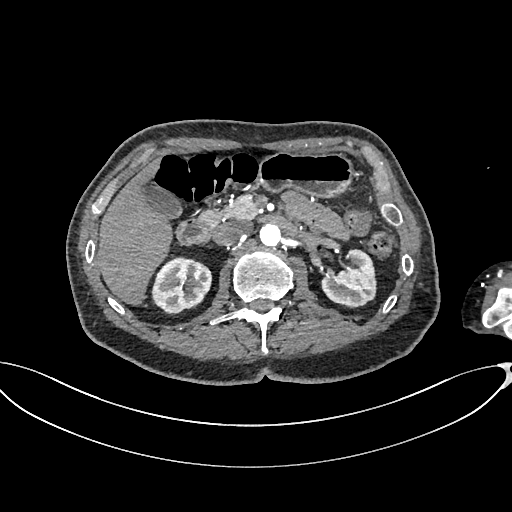
One axial slice (422 of 665, counting up from the lowest) of an arterial-phase abdominal CT acquired with 100 kVp, kernel I26f; each pixel is 0.828 mm and the slice is 1.00 mm thick.
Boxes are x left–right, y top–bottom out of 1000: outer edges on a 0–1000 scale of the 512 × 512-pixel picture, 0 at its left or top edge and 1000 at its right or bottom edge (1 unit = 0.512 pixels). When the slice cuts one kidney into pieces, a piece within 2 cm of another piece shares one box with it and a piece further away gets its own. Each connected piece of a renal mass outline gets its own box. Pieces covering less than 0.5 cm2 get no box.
Two boxes on this slice (two kidney boxes), listed by box centre from the image's left to its right. (1) Box x 295–416, y 500–615 out of 1000: right kidney (outlined area 2,651 px, about 18.2 cm2). (2) Left kidney, box x 627–736, y 486–604 out of 1000 (outlined area 2,361 px, about 16.2 cm2). No renal mass is outlined on this slice.